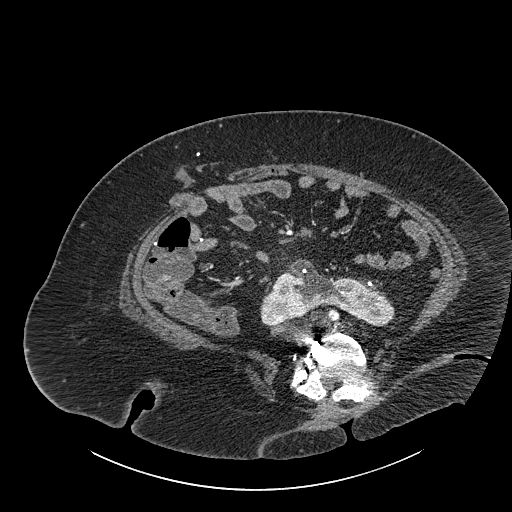
Contrast-enhanced abdominal CT, axial slice 448 of 834 (counted from the lowest slice); tube voltage 140 kVp, convolution kernel I30f; slices 1.00 mm thick, 0.977 mm per pixel.
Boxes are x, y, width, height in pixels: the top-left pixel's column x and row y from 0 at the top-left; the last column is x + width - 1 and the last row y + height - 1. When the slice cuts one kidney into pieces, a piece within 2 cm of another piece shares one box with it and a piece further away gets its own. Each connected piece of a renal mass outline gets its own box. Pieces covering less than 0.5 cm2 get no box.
Kidney crossing the body midline, box x 260, y 258, width 135, height 70 (outlined area 5,234 px, about 49.9 cm2). No renal mass outline on this slice.